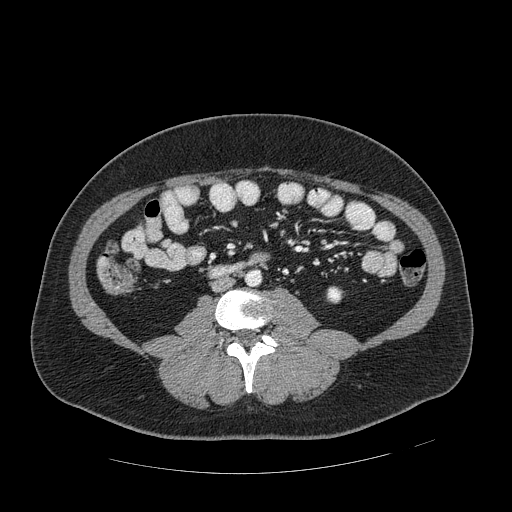
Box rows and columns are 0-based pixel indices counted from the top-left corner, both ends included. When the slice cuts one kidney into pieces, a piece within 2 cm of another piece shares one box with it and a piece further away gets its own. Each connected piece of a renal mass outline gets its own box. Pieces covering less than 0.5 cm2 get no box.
Arterial-phase contrast-enhanced abdominal CT, axial slice 211 of 389 (counted from the lowest slice); 1.25 mm thick, 0.869 mm per pixel. Box rows 285–303, columns 325–344: left kidney (outlined area 271 px, about 2.0 cm2). No renal mass outline on this slice.
Scan settings: 120 kVp, STANDARD reconstruction kernel.